Axial slice 445 of 705 of a contrast-enhanced abdominal CT in the arterial phase (slice 1 is the lowest), 120 kVp, kernel I30f; 1.00 mm slice thickness and 0.703 mm pixels.
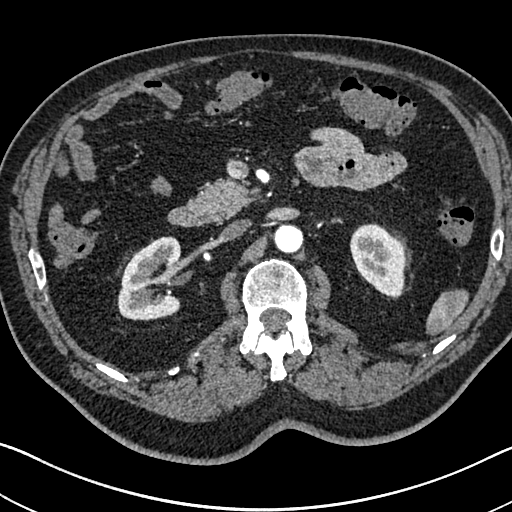
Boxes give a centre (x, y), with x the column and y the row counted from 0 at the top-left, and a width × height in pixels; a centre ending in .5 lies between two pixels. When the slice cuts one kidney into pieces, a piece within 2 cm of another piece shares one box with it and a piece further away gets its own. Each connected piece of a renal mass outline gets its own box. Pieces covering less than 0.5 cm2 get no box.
Boxed on this slice (two kidney boxes), listed by box centre from the image's left to its right: (1) Box centre (149, 278), 65 × 85 pixels: right kidney (outlined area 4,128 px, about 20.4 cm2). (2) Box centre (376.5, 260.5), 56 × 76 pixels: left kidney (outlined area 3,052 px, about 15.1 cm2). No renal mass is outlined on this slice.